Arterial-phase contrast-enhanced abdominal CT, axial slice 252 of 602 (counted from the lowest slice); tube voltage 120 kVp, convolution kernel I30f; slices 1.00 mm thick, 0.799 mm per pixel.
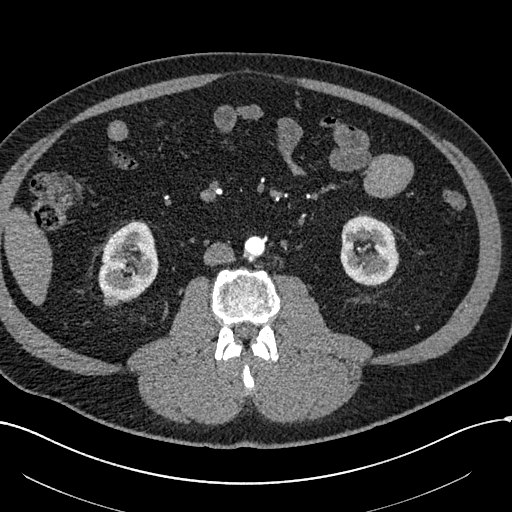
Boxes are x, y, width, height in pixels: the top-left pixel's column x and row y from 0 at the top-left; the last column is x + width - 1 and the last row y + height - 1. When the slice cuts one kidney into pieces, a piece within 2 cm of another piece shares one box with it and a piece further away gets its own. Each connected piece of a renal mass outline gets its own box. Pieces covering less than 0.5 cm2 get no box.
Boxed on this slice (two kidney boxes and one renal mass box), listed by box centre from the image's left to its right: (1) Right renal mass, box x 103, y 293, width 17, height 14 (outlined area 179 px, about 1.1 cm2). (2) Right kidney, box x 98, y 221, width 61, height 82 (outlined area 3,628 px, about 23.2 cm2). (3) Left kidney at x 340, y 213, width 60, height 74 (outlined area 3,338 px, about 21.3 cm2).